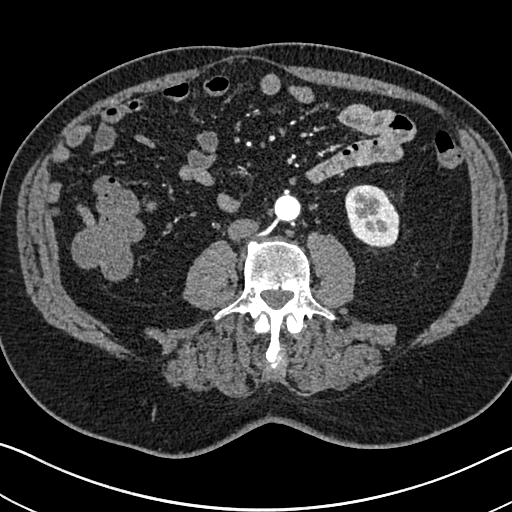
Arterial-phase contrast-enhanced abdominal CT, axial slice 298 of 705 (counted from the lowest slice); tube voltage 120 kVp, convolution kernel I30f; slices 1.00 mm thick, 0.703 mm per pixel.
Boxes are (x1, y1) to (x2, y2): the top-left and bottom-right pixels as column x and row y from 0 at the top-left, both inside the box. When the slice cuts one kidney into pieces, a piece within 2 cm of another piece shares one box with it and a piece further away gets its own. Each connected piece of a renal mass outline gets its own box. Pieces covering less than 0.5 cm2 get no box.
Left kidney from (345, 184) to (399, 247) (outlined area 2,716 px, about 13.4 cm2). No renal mass is outlined on this slice.